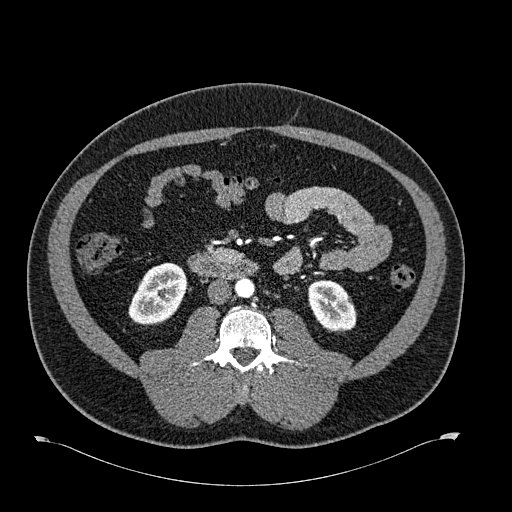
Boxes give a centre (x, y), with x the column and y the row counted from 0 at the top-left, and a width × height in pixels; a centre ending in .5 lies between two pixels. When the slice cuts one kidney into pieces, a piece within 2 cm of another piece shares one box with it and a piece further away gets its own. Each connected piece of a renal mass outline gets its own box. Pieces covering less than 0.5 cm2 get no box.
Arterial-phase contrast-enhanced abdominal CT, axial slice 300 of 723 (counted from the lowest slice); 1.00 mm thick, 0.895 mm per pixel. Boxed on this slice (two kidney boxes), listed by box centre from the image's left to its right: (1) Right kidney, box centre (157.5, 293.5), 60 × 64 pixels (outlined area 2,676 px, about 21.4 cm2). (2) Left kidney, box centre (332, 306), 49 × 53 pixels (outlined area 1,950 px, about 15.6 cm2). No renal mass is outlined on this slice.
Tube voltage 120 kVp; convolution kernel B30f.